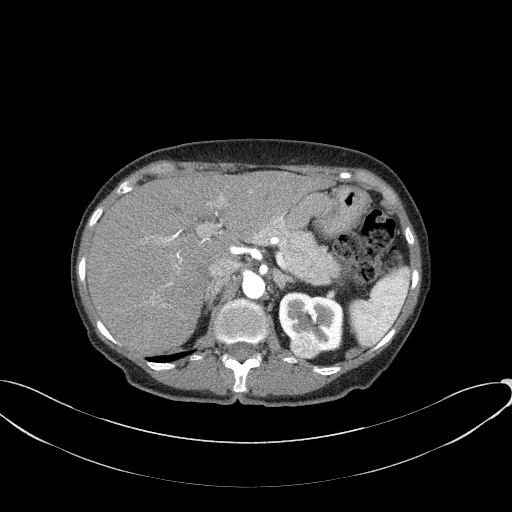
Axial slice 48 of 77 of a contrast-enhanced abdominal CT in the arterial phase (slice 1 is the lowest), 100 kVp, kernel B41f; 3.00 mm slice thickness and 0.809 mm pixels.
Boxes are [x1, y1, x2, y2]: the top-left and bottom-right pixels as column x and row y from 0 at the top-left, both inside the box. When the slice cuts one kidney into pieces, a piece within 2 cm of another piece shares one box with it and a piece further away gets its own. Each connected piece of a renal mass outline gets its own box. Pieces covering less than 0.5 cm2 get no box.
Two boxes on this slice (one kidney box and one renal mass box), listed by box centre from the image's left to its right. (1) Left renal mass, box [289, 330, 320, 359] (outlined area 740 px, about 4.8 cm2). (2) Box [278, 291, 343, 352]: left kidney (outlined area 2,797 px, about 18.3 cm2).